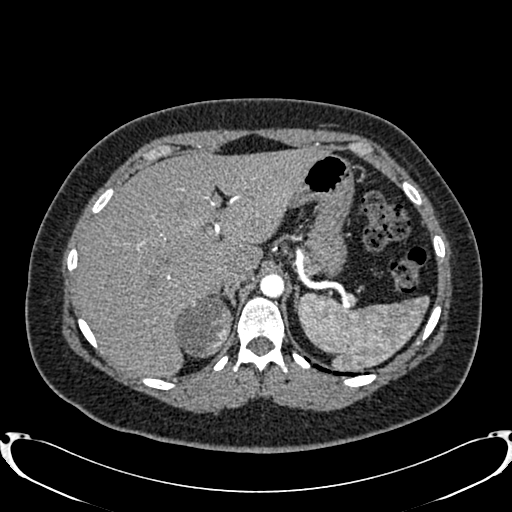
Axial slice 617 of 719 of a contrast-enhanced abdominal CT in the arterial phase (slice 1 is the lowest), 120 kVp, kernel B20f; 1.00 mm slice thickness and 0.766 mm pixels.
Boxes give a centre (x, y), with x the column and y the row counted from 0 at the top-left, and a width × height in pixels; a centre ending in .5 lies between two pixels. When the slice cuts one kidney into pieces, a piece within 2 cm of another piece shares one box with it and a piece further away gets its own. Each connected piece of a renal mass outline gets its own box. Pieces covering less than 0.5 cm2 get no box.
Right renal mass in a box with centre (202.5, 326), 60 × 63 pixels (outlined area 2,780 px, about 16.3 cm2); no kidney is outlined on this slice, but the same outlined renal mass comes within 1 cm of the kidney on another slice.